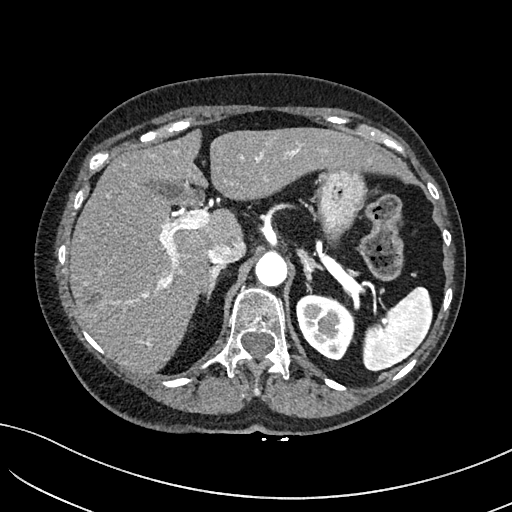
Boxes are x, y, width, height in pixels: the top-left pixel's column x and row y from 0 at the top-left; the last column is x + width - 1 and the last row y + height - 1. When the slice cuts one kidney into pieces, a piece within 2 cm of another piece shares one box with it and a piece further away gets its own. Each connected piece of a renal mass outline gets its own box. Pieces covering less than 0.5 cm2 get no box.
Arterial-phase contrast-enhanced abdominal CT, axial slice 118 of 234 (counted from the lowest slice); 2.00 mm thick, 0.699 mm per pixel. Left kidney, box x 296, y 294, width 59, height 67 (outlined area 2,890 px, about 14.1 cm2). No renal mass is outlined on this slice.
Tube voltage 100 kVp; convolution kernel I40f.